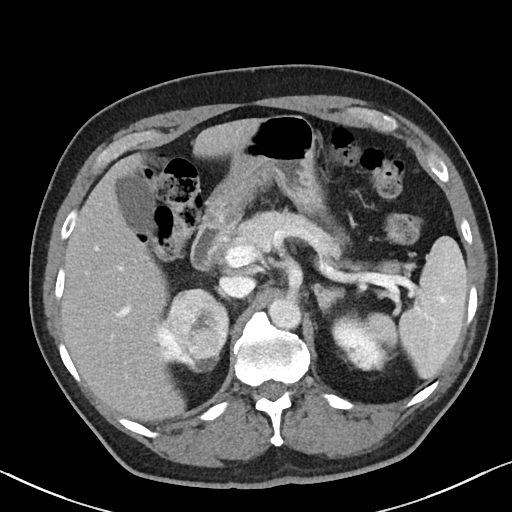
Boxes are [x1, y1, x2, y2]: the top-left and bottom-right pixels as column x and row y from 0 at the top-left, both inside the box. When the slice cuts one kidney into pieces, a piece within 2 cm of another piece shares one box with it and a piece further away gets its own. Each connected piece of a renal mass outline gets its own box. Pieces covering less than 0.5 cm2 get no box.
Contrast-enhanced abdominal CT, axial slice 68 of 90 (counted from the lowest slice); 5.00 mm thick, 0.684 mm per pixel. Two kidney boxes and one renal mass box on this slice; by box centre, from the image's left to its right: (1) Box [157, 319, 219, 372]: right kidney (outlined area 1,168 px, about 5.5 cm2). (2) Right renal mass at [163, 288, 229, 358] (outlined area 3,438 px, about 16.1 cm2). (3) Box [331, 309, 397, 370]: left kidney (outlined area 3,110 px, about 14.5 cm2).
Tube voltage 100 kVp; convolution kernel I40f.